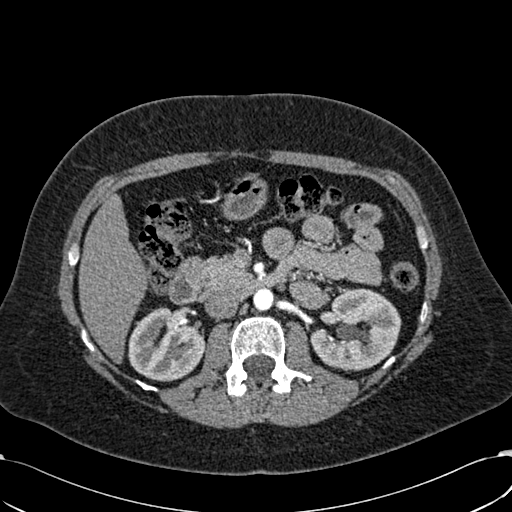
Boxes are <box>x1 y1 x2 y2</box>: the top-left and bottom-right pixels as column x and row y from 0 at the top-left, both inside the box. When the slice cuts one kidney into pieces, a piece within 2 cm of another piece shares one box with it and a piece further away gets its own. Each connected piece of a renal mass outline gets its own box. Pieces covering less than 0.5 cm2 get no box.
This is axial slice 367 of 532 (slice 1 is the lowest) of an arterial-phase abdominal CT with contrast; each pixel is 0.713 mm and the slice is 1.00 mm thick. Two boxes on this slice (two kidney boxes), listed by box centre from the image's left to its right. (1) At <box>128 307 204 381</box>: right kidney (outlined area 4,242 px, about 21.6 cm2). (2) Left kidney: <box>310 288 401 371</box> (outlined area 5,392 px, about 27.4 cm2). No renal mass outline on this slice.
Acquired at 120 kVp and reconstructed with the B30f kernel.